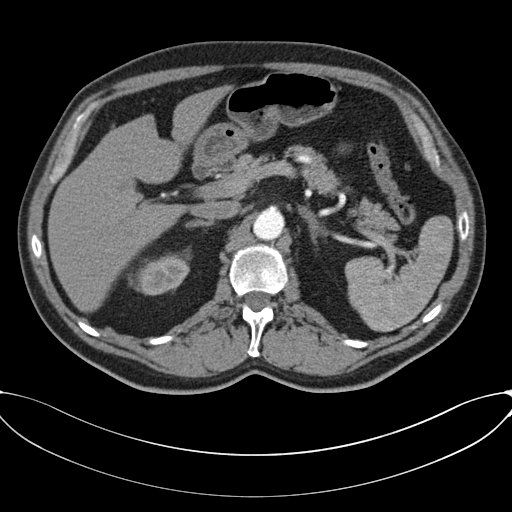
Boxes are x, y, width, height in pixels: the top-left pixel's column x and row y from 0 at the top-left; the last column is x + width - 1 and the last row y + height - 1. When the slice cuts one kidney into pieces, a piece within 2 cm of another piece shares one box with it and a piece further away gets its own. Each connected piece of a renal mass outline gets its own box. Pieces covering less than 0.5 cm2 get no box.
Contrast-enhanced abdominal CT, axial slice 48 of 80 (counted from the lowest slice); 3.00 mm thick, 0.822 mm per pixel. Box x 139, y 257, width 51, height 39: right kidney (outlined area 1,446 px, about 9.8 cm2). No renal mass outline on this slice.
Acquired at 120 kVp and reconstructed with the B30f kernel.